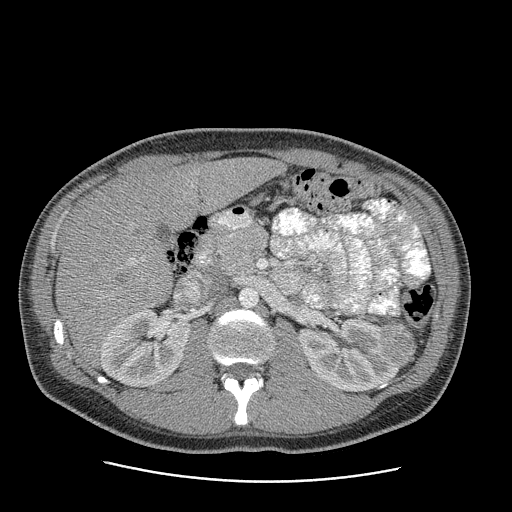
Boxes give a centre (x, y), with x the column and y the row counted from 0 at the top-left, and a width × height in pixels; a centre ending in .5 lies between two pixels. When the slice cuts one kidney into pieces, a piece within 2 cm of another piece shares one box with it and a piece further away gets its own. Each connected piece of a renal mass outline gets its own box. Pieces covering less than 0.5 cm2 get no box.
Slice 153/199 of a contrast-enhanced abdominal CT in the arterial phase, counting up from the lowest; pixel size 0.789 mm, slice thickness 2.50 mm. Boxed on this slice (two kidney boxes and one renal mass box), listed by box centre from the image's left to its right: (1) Right kidney, box centre (145, 348), 91 × 79 pixels (outlined area 5,329 px, about 33.2 cm2). (2) Box centre (349.5, 354), 102 × 75 pixels: left kidney (outlined area 5,224 px, about 32.5 cm2). (3) Left renal mass, box centre (396, 342.5), 37 × 44 pixels (outlined area 1,255 px, about 7.8 cm2).
Scan settings: 120 kVp, STANDARD reconstruction kernel.